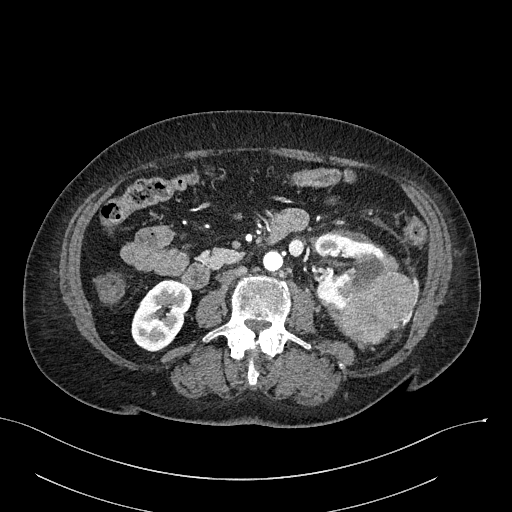
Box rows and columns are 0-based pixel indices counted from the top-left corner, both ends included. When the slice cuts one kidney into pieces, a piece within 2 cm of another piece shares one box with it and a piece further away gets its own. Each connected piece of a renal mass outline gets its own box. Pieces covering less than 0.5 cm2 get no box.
This is axial slice 108 of 316 (slice 1 is the lowest) of an arterial-phase abdominal CT with contrast; each pixel is 0.840 mm and the slice is 2.00 mm thick. Boxed on this slice (two kidney boxes and one renal mass box), listed by box centre from the image's left to its right: (1) Box rows 279–351, columns 131–190: right kidney (outlined area 3,081 px, about 21.7 cm2). (2) Left kidney, box rows 233–311, columns 314–386 (outlined area 3,673 px, about 25.9 cm2). (3) Box rows 253–343, columns 340–416: left renal mass (outlined area 3,949 px, about 27.9 cm2).
Acquired at 100 kVp and reconstructed with the I40f kernel.